One axial slice (18 of 50, counting up from the lowest) of an arterial-phase abdominal CT acquired with 100 kVp, kernel I41f; each pixel is 0.758 mm and the slice is 3.00 mm thick.
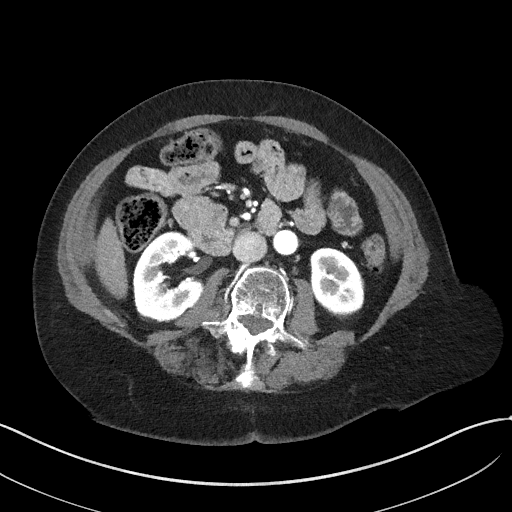
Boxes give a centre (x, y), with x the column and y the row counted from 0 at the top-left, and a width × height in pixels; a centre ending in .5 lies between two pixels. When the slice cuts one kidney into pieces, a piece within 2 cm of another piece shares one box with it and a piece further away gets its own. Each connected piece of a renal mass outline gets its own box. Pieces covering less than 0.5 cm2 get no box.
Two kidney boxes on this slice; by box centre, from the image's left to its right: (1) Box centre (167.5, 275.5), 72 × 90 pixels: right kidney (outlined area 4,420 px, about 25.4 cm2). (2) Box centre (337, 282.5), 55 × 72 pixels: left kidney (outlined area 3,011 px, about 17.3 cm2). This slice carries no renal mass outline.